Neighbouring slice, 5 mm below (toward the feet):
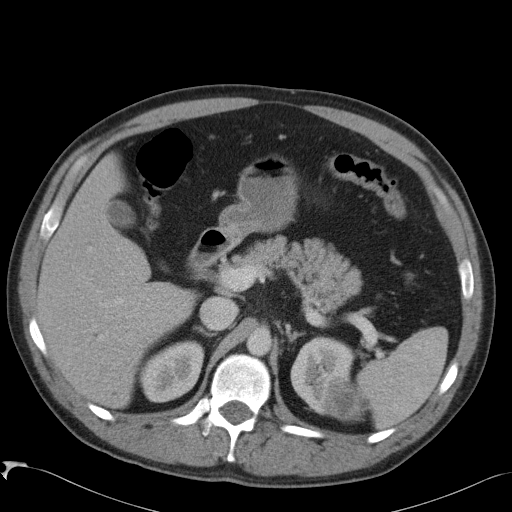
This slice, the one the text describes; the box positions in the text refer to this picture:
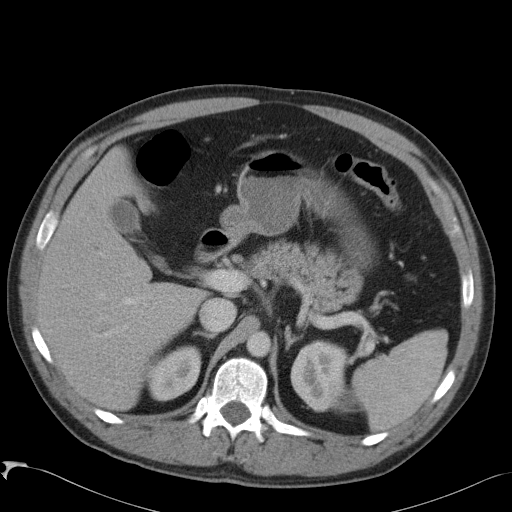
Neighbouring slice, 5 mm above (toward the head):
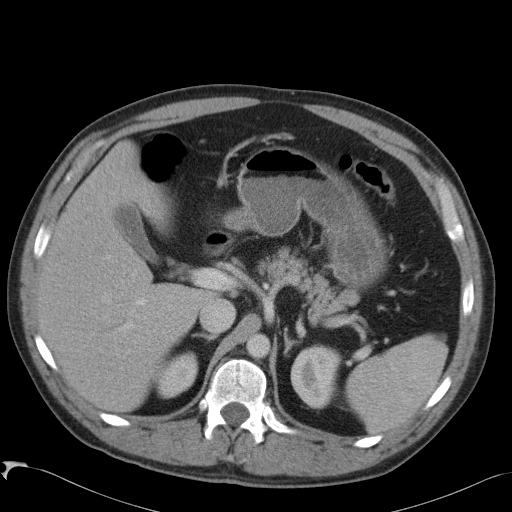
Axial slice 66 of 88 of a contrast-enhanced abdominal CT in the arterial phase (slice 1 is the lowest), 120 kVp, kernel B41f; 5.00 mm slice thickness and 0.723 mm pixels.
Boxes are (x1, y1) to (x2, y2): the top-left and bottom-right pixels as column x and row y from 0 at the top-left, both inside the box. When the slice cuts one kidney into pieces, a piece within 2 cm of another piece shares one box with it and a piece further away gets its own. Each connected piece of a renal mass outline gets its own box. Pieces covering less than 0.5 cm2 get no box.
Boxed on this slice (two kidney boxes and one renal mass box), listed by box centre from the image's left to its right: (1) Right kidney, box (146, 345) to (201, 401) (outlined area 2,262 px, about 11.8 cm2). (2) Box (290, 340) to (348, 412): left kidney (outlined area 2,968 px, about 15.5 cm2). (3) Left renal mass, box (330, 383) to (364, 412) (outlined area 745 px, about 3.9 cm2). This slice is near the end of the left renal mass toward the head, so the slices 5 mm below and 5 mm above it are shown as well; the boxes refer to this slice only.